Axial slice 113 of 145 of a contrast-enhanced abdominal CT in the arterial phase (slice 1 is the lowest), 100 kVp, kernel I40f; 3.00 mm slice thickness and 0.834 mm pixels.
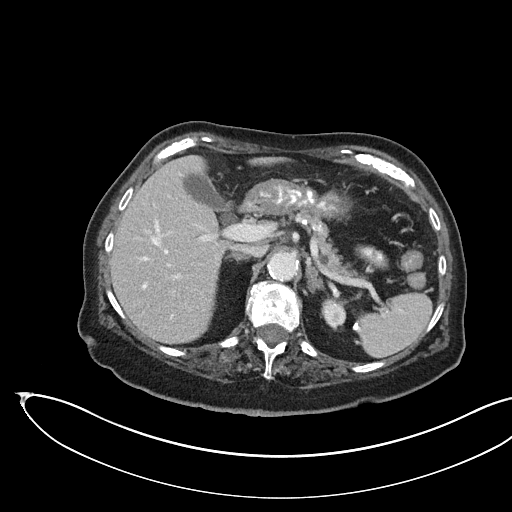
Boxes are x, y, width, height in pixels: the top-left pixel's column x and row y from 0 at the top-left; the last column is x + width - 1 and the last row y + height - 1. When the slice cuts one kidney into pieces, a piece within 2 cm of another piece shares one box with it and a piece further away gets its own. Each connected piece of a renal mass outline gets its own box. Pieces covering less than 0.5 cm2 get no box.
Box x 321, y 298, width 26, height 30: kidney (outlined area 558 px, about 3.9 cm2). No renal mass outline on this slice.